Arterial-phase contrast-enhanced abdominal CT, axial slice 137 of 262 (counted from the lowest slice); tube voltage 120 kVp, convolution kernel STANDARD; slices 2.50 mm thick, 0.703 mm per pixel.
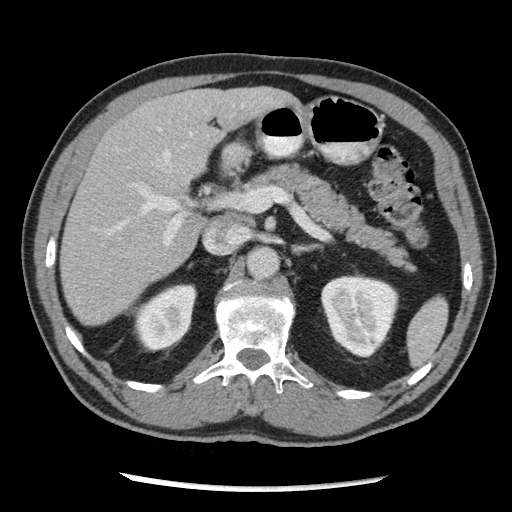
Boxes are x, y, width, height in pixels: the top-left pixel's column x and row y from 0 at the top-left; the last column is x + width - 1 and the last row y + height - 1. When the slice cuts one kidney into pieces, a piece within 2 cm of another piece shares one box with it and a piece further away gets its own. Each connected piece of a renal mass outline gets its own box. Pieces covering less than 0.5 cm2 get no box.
Two boxes on this slice (two kidney boxes), listed by box centre from the image's left to its right. (1) Right kidney at x 133, y 283, width 65, height 69 (outlined area 3,153 px, about 15.6 cm2). (2) Left kidney at x 320, y 274, width 79, height 84 (outlined area 4,927 px, about 24.4 cm2). No renal mass outline on this slice.